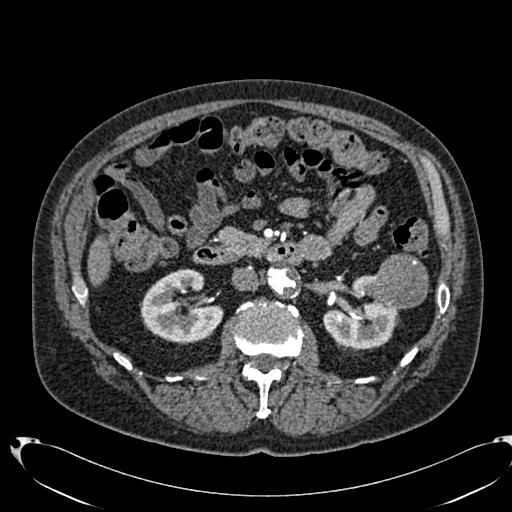
One axial slice (412 of 553, counting up from the lowest) of an arterial-phase abdominal CT acquired with 120 kVp, kernel B20f; each pixel is 0.773 mm and the slice is 1.00 mm thick.
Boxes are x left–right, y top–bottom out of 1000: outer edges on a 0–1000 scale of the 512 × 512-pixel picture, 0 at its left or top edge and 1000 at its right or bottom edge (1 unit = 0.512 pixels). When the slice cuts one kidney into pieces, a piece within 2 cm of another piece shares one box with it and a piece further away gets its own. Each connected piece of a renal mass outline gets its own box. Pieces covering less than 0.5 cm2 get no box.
Two kidney boxes and one renal mass box on this slice; by box centre, from the image's left to its right: (1) Box x 273–438, y 525–674 out of 1000: right kidney (outlined area 4,319 px, about 25.8 cm2). (2) Left kidney at x 631–783, y 537–682 out of 1000 (outlined area 3,488 px, about 20.9 cm2). (3) Left renal mass, box x 730–838, y 494–605 out of 1000 (outlined area 2,412 px, about 14.4 cm2).